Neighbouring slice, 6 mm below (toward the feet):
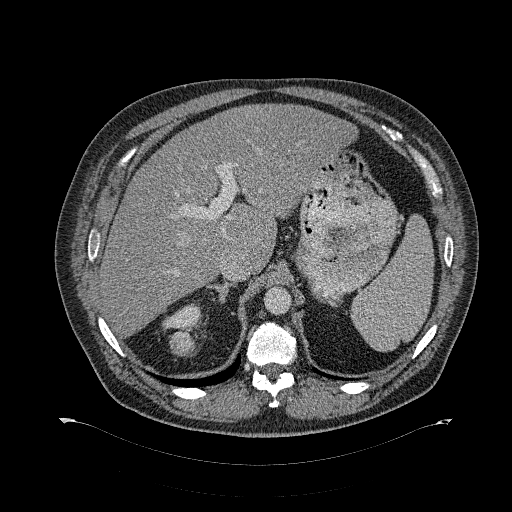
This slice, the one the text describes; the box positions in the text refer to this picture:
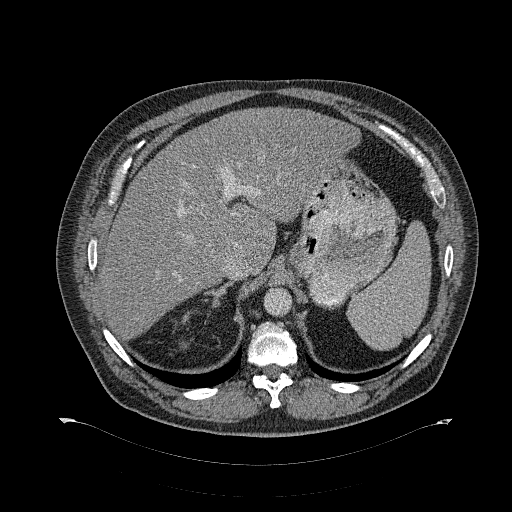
Contrast-enhanced abdominal CT, axial slice 228 of 274 (counted from the lowest slice); tube voltage 120 kVp, convolution kernel B31f; slices 2.00 mm thick, 0.977 mm per pixel.
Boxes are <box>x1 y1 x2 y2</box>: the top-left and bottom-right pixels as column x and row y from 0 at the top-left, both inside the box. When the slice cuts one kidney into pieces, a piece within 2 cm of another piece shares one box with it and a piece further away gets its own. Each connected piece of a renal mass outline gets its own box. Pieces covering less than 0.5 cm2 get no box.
One kidney box and one renal mass box on this slice; by box centre, from the image's left to its right: (1) Right renal mass: <box>180 341 188 348</box> (outlined area 53 px, about 0.5 cm2); it sits over 1 cm from every kidney outline on this slice, but the same outlined renal mass comes within 1 cm of the kidney on another slice. (2) At <box>182 311 190 322</box>: right kidney (outlined area 66 px, about 0.6 cm2). This slice is near the end of the right renal mass toward the head, so the slice 6 mm below it is shown as well; the boxes refer to this slice only.